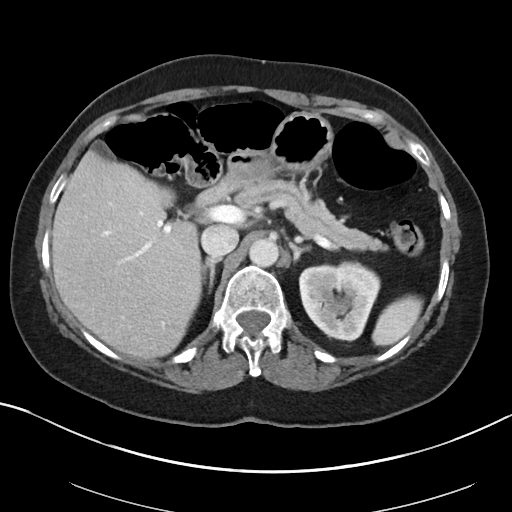
Abdominal CT with intravenous contrast, arterial phase, axial plane, 100 kVp, kernel I40f. Slice 66/88 from the bottom of the scan; thickness 5.00 mm; pixel size 0.705 mm.
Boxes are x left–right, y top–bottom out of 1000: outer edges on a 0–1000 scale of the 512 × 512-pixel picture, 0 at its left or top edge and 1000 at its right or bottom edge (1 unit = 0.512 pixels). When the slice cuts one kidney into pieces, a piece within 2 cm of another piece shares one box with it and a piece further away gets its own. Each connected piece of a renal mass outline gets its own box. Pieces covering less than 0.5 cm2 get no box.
Left kidney, box x 582–744, y 508–668 out of 1000 (outlined area 4,988 px, about 24.8 cm2). No renal mass is outlined on this slice.